Arterial-phase contrast-enhanced abdominal CT, axial slice 165 of 285 (counted from the lowest slice); tube voltage 120 kVp, convolution kernel B31f; slices 2.00 mm thick, 0.762 mm per pixel.
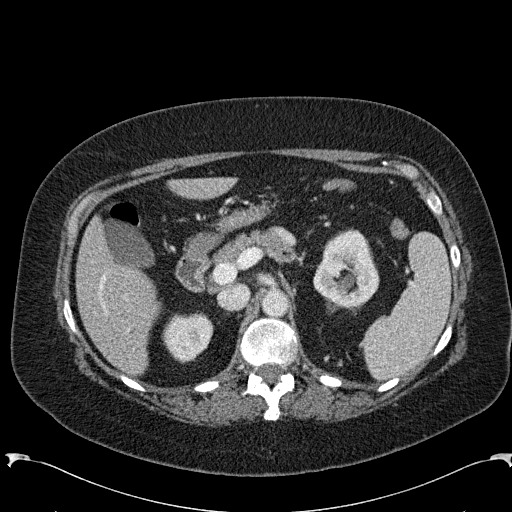
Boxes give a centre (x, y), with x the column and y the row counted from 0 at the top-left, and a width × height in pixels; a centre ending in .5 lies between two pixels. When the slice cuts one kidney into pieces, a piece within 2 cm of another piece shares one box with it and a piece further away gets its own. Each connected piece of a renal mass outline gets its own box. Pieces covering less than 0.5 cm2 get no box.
Boxed on this slice (two kidney boxes), listed by box centre from the image's left to its right: (1) Right kidney in a box with centre (187.5, 337.5), 52 × 52 pixels (outlined area 1,963 px, about 11.4 cm2). (2) Left kidney, box centre (346, 268), 67 × 81 pixels (outlined area 3,844 px, about 22.3 cm2). No renal mass outline on this slice.